One axial slice (391 of 512, counting up from the lowest) of an arterial-phase abdominal CT acquired with 120 kVp, kernel B30f; each pixel is 0.771 mm and the slice is 1.00 mm thick.
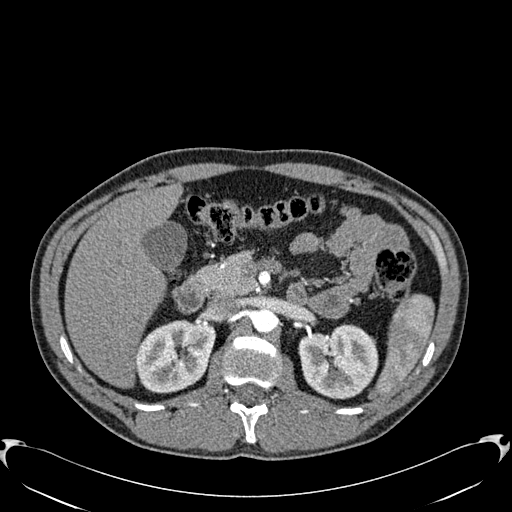
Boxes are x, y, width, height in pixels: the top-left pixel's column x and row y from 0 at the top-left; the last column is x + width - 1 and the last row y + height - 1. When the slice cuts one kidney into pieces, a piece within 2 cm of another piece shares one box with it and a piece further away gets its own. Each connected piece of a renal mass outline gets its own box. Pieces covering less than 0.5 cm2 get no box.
Boxed on this slice (two kidney boxes), listed by box centre from the image's left to its right: (1) Box x 135, y 320, width 81, height 74: right kidney (outlined area 4,539 px, about 27.0 cm2). (2) Left kidney at x 298, y 324, width 81, height 76 (outlined area 4,687 px, about 27.9 cm2). No renal mass outline on this slice.